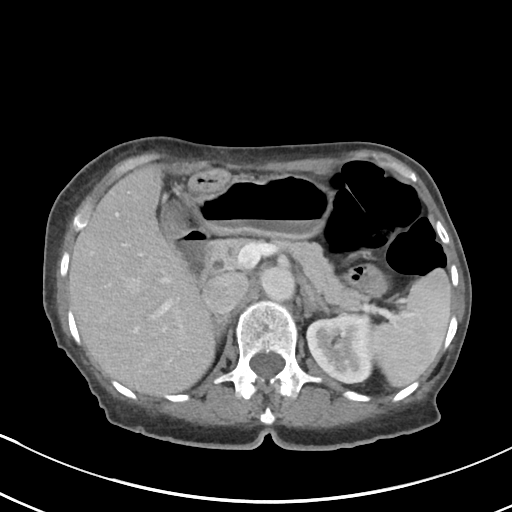
One axial slice (65 of 80, counting up from the lowest) of an arterial-phase abdominal CT acquired with 100 kVp, kernel I40f; each pixel is 0.648 mm and the slice is 5.00 mm thick.
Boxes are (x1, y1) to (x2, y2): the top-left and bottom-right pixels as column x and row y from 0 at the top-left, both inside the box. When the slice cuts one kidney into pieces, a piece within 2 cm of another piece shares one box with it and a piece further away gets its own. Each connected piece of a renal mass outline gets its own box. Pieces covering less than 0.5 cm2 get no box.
Left kidney from (307, 314) to (371, 383) (outlined area 3,515 px, about 14.8 cm2). No renal mass is outlined on this slice.